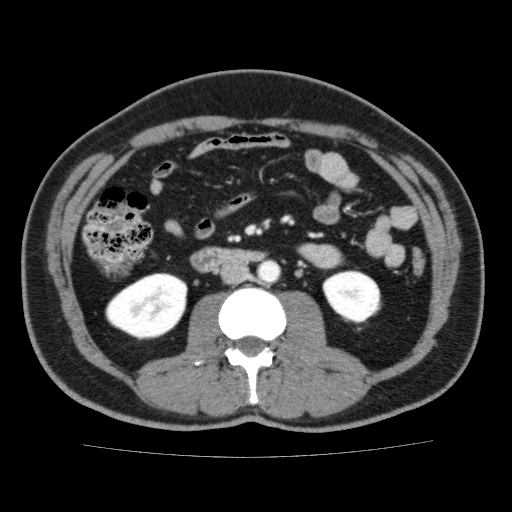
Axial slice 91 of 159 of a contrast-enhanced abdominal CT (slice 1 is the lowest), 120 kVp, kernel FC13; 3.00 mm slice thickness and 0.668 mm pixels.
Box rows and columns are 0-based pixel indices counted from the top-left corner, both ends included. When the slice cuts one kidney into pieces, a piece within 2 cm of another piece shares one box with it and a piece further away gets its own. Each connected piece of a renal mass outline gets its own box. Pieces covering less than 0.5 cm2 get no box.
Two kidney boxes on this slice; by box centre, from the image's left to its right: (1) Right kidney, box rows 272–340, columns 105–187 (outlined area 4,093 px, about 18.3 cm2). (2) Left kidney, box rows 270–323, columns 322–381 (outlined area 2,374 px, about 10.6 cm2). No renal mass outline on this slice.